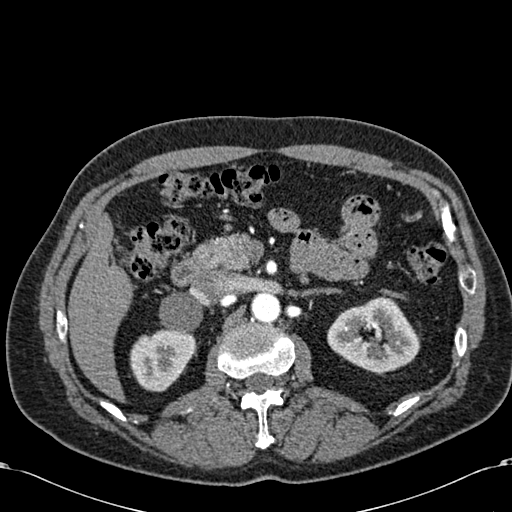
One axial slice (391 of 581, counting up from the lowest) of an arterial-phase abdominal CT acquired with 120 kVp, kernel B30f; each pixel is 0.713 mm and the slice is 1.00 mm thick.
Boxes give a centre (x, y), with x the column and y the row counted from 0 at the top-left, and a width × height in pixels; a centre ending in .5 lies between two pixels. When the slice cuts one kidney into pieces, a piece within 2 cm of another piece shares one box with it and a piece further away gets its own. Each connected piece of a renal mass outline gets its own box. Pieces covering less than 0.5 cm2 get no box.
Two boxes on this slice (two kidney boxes), listed by box centre from the image's left to its right. (1) Right kidney, box centre (162.5, 359.5), 68 × 64 pixels (outlined area 3,128 px, about 15.9 cm2). (2) Box centre (373.5, 334), 94 × 79 pixels: left kidney (outlined area 4,940 px, about 25.1 cm2). No renal mass is outlined on this slice.